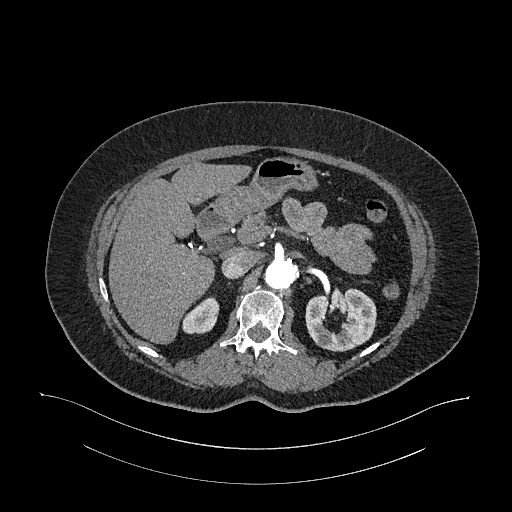
One axial slice (722 of 987, counting up from the lowest) of an arterial-phase abdominal CT acquired with 120 kVp, kernel I26f; each pixel is 0.977 mm and the slice is 1.00 mm thick.
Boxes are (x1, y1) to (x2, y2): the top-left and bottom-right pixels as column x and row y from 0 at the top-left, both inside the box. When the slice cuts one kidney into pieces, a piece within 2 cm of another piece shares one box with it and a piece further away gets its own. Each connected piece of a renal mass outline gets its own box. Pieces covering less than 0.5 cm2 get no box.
Two boxes on this slice (two kidney boxes), listed by box centre from the image's left to its right. (1) Box (182, 297) to (219, 334): right kidney (outlined area 984 px, about 9.4 cm2). (2) Left kidney, box (305, 287) to (376, 351) (outlined area 3,348 px, about 31.9 cm2). No renal mass is outlined on this slice.